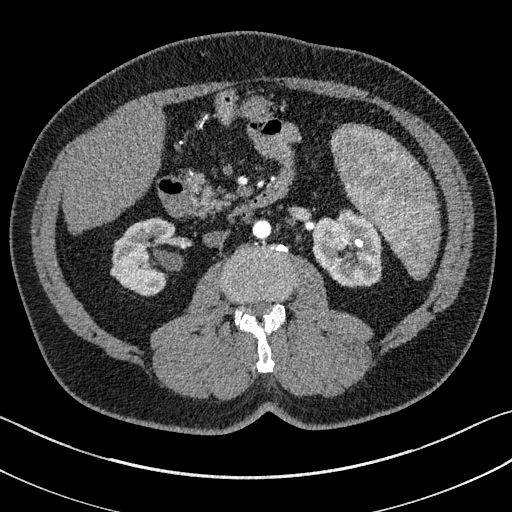
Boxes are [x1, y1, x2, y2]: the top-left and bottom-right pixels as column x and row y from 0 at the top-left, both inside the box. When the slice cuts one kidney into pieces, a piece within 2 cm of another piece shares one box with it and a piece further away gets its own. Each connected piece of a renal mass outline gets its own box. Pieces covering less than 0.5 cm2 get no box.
Arterial-phase contrast-enhanced abdominal CT, axial slice 77 of 195 (counted from the lowest slice); 1.50 mm thick, 0.707 mm per pixel. Two kidney boxes on this slice; by box centre, from the image's left to its right: (1) Right kidney at [111, 218, 175, 295] (outlined area 3,566 px, about 17.8 cm2). (2) Left kidney at [311, 209, 381, 286] (outlined area 4,196 px, about 21.0 cm2). No renal mass is outlined on this slice.
Tube voltage 100 kVp; convolution kernel I31f.